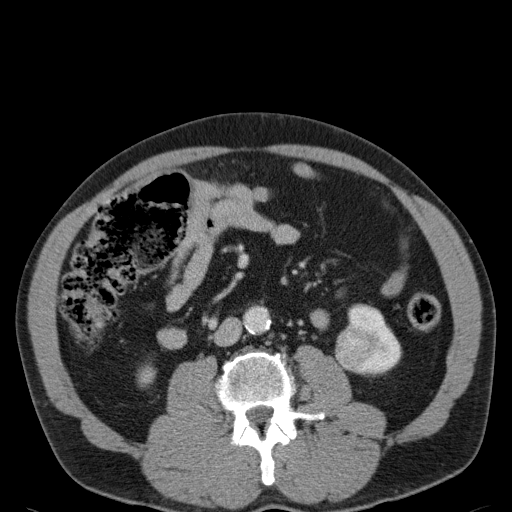
Contrast-enhanced abdominal CT, axial slice 59 of 107 (counted from the lowest slice); tube voltage 120 kVp, convolution kernel B31f; slices 5.00 mm thick, 0.730 mm per pixel.
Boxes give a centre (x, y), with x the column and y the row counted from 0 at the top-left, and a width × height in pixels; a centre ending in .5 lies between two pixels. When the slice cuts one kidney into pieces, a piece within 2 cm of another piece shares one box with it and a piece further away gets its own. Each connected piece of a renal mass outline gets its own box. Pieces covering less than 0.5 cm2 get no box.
Two kidney boxes and one renal mass box on this slice; by box centre, from the image's left to its right: (1) Right kidney in a box with centre (146, 375), 21 × 25 pixels (outlined area 366 px, about 2.0 cm2). (2) Left renal mass, box centre (358, 347.5), 47 × 46 pixels (outlined area 1,397 px, about 7.5 cm2). (3) Left kidney, box centre (374.5, 338), 54 × 71 pixels (outlined area 1,938 px, about 10.3 cm2).